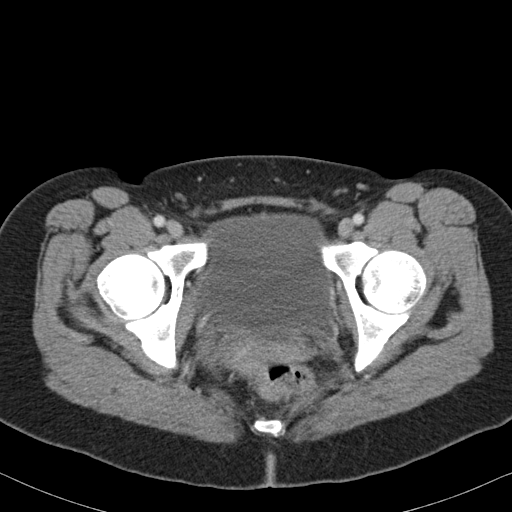
Arterial-phase contrast-enhanced abdominal CT, axial slice 17 of 82 (counted from the lowest slice); tube voltage 120 kVp, convolution kernel B31f; slices 5.00 mm thick, 0.625 mm per pixel.
Neither a kidney nor a renal mass is outlined here. Only kidneys and renal masses are outlined anywhere in this scan; other structures are never outlined.